One axial slice (17 of 36, counting up from the lowest) of an arterial-phase abdominal CT acquired with 140 kVp, kernel I30f; each pixel is 0.906 mm and the slice is 5.00 mm thick.
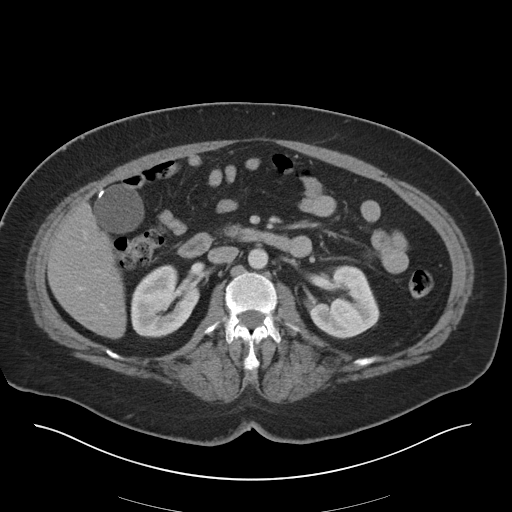
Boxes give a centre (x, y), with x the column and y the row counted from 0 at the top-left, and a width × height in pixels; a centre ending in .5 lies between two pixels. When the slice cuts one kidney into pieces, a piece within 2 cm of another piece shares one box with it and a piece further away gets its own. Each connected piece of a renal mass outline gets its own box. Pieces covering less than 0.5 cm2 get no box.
Two kidney boxes on this slice; by box centre, from the image's left to its right: (1) Box centre (164.5, 300.5), 70 × 74 pixels: right kidney (outlined area 3,705 px, about 30.4 cm2). (2) Box centre (343.5, 301.5), 72 × 74 pixels: left kidney (outlined area 3,655 px, about 30.0 cm2). This slice carries no renal mass outline.